Arterial-phase contrast-enhanced abdominal CT, axial slice 274 of 723 (counted from the lowest slice); tube voltage 120 kVp, convolution kernel B30f; slices 1.00 mm thick, 0.895 mm per pixel.
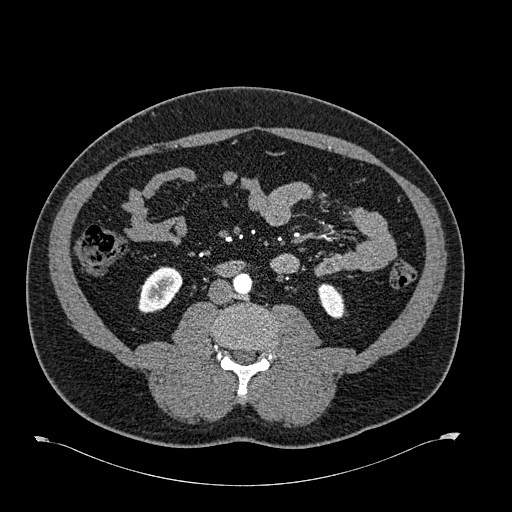
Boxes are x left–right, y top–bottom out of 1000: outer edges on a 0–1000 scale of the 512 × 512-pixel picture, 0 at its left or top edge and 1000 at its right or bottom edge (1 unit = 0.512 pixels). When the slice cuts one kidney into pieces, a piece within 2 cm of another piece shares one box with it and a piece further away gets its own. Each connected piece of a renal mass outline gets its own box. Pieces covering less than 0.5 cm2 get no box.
Two kidney boxes on this slice; by box centre, from the image's left to its right: (1) Right kidney at x 270–357, y 520–613 out of 1000 (outlined area 1,474 px, about 11.8 cm2). (2) Box x 619–674, y 553–623 out of 1000: left kidney (outlined area 705 px, about 5.6 cm2). This slice carries no renal mass outline.